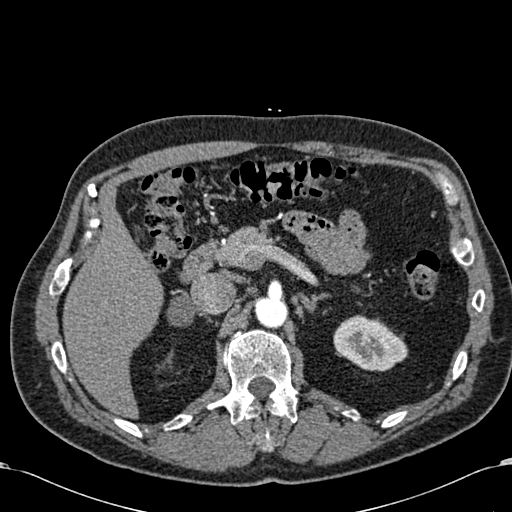
Axial slice 422 of 581 of a contrast-enhanced abdominal CT in the arterial phase (slice 1 is the lowest), 120 kVp, kernel B30f; 1.00 mm slice thickness and 0.713 mm pixels.
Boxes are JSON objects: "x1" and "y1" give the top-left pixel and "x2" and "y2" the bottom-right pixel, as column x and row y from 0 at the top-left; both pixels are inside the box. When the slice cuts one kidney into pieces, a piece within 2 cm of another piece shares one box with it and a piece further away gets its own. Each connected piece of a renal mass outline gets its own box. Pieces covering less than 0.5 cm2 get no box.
Left kidney at {"x1": 333, "y1": 315, "x2": 408, "y2": 371} (outlined area 2,985 px, about 15.2 cm2). This slice carries no renal mass outline.